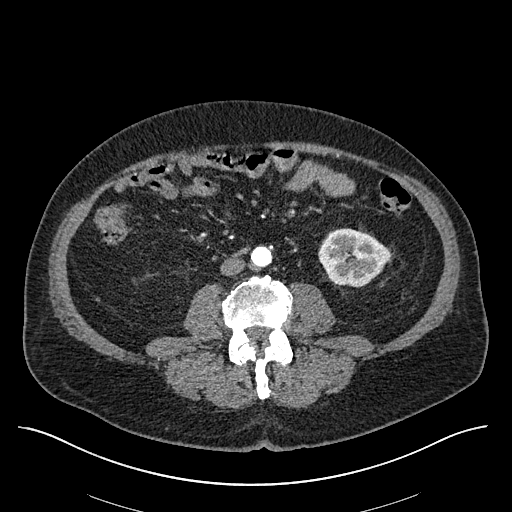
Arterial-phase contrast-enhanced abdominal CT, axial slice 238 of 670 (counted from the lowest slice); tube voltage 120 kVp, convolution kernel I30f; slices 1.00 mm thick, 0.861 mm per pixel.
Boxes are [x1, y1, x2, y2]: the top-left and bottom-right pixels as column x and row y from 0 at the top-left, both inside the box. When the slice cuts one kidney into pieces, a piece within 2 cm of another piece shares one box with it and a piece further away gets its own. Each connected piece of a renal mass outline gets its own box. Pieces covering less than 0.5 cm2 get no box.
Box [318, 228, 390, 286]: left kidney (outlined area 3,176 px, about 23.6 cm2). No renal mass outline on this slice.